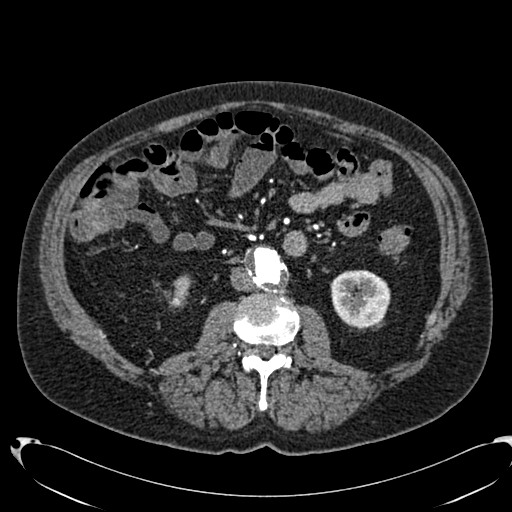
Abdominal CT with intravenous contrast, arterial phase, axial plane, 120 kVp, kernel B20f. Slice 352/553 from the bottom of the scan; thickness 1.00 mm; pixel size 0.773 mm.
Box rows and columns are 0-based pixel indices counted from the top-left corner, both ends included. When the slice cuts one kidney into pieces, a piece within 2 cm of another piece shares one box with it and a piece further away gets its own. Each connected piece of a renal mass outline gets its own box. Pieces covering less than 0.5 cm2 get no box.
Boxed on this slice (two kidney boxes), listed by box centre from the image's left to its right: (1) Right kidney at rows 276–307, columns 167–190 (outlined area 464 px, about 2.8 cm2). (2) Left kidney, box rows 270–327, columns 330–390 (outlined area 2,785 px, about 16.7 cm2). No renal mass is outlined on this slice.